Axial slice 162 of 304 of a contrast-enhanced abdominal CT in the arterial phase (slice 1 is the lowest), 100 kVp, kernel I30f; 2.00 mm slice thickness and 0.809 mm pixels.
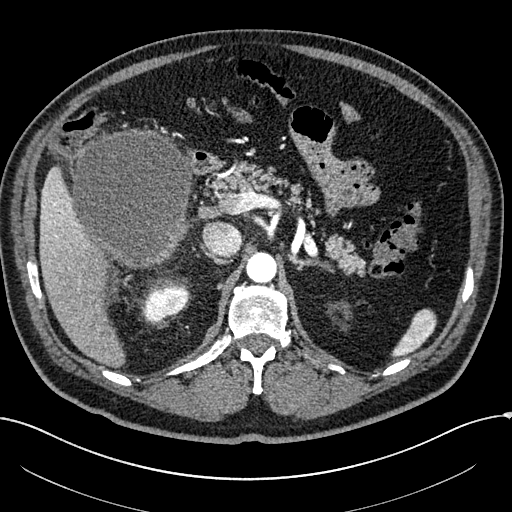
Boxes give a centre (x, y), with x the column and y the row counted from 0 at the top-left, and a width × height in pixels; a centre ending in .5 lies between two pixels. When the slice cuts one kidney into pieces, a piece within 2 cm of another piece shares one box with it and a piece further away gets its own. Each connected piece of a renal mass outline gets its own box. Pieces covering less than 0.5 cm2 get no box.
One kidney box and one renal mass box on this slice; by box centre, from the image's left to its right: (1) Right renal mass in a box with centre (133, 198.5), 123 × 142 pixels (outlined area 13,543 px, about 88.5 cm2); here it is more than 1 cm from any kidney outline, though on another slice the same outlined renal mass lies within 1 cm of the kidney. (2) Box centre (165.5, 304), 48 × 39 pixels: right kidney (outlined area 1,333 px, about 8.7 cm2).